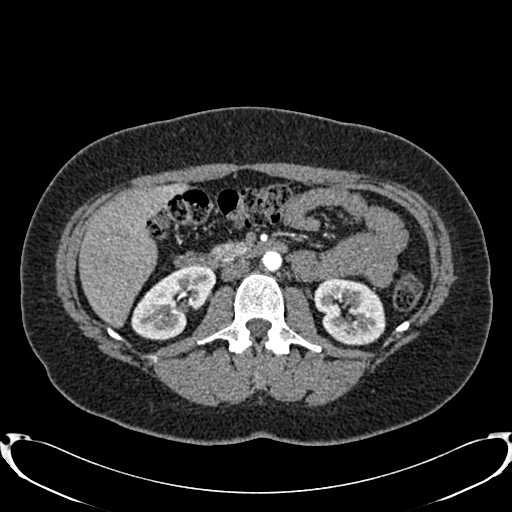
Abdominal CT with intravenous contrast, arterial phase, axial plane, 120 kVp, kernel B20f. Slice 442/719 from the bottom of the scan; thickness 1.00 mm; pixel size 0.766 mm.
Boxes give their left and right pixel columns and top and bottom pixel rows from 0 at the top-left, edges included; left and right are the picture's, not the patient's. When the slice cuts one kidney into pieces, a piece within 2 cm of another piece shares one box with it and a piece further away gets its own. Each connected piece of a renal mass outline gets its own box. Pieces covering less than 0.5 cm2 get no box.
Boxed on this slice (two kidney boxes), listed by box centre from the image's left to its right: (1) Box with left 131, top 265, right 215, bottom 340: right kidney (outlined area 4,000 px, about 23.4 cm2). (2) Box with left 313, top 277, right 385, bottom 345: left kidney (outlined area 3,710 px, about 21.7 cm2). This slice carries no renal mass outline.